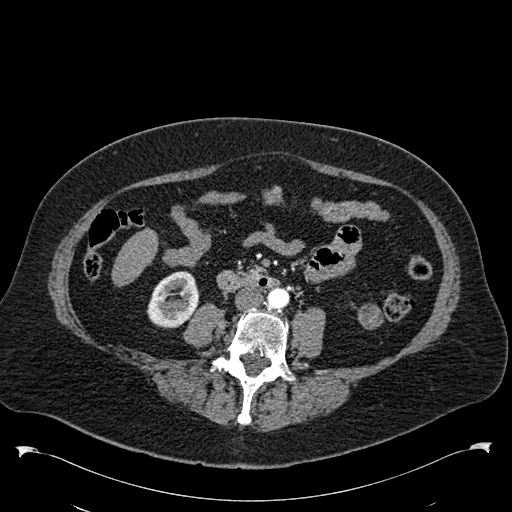
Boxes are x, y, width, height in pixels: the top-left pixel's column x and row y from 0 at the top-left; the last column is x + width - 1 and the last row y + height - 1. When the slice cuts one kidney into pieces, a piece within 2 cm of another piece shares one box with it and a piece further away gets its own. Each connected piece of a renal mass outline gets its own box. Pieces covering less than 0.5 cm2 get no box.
This is axial slice 223 of 538 (slice 1 is the lowest) of an arterial-phase abdominal CT with contrast; each pixel is 0.811 mm and the slice is 1.00 mm thick. Two boxes on this slice (one kidney box and one renal mass box), listed by box centre from the image's left to its right. (1) Right kidney, box x 146, y 271, width 54, height 58 (outlined area 2,258 px, about 14.8 cm2). (2) Left renal mass, box x 358, y 303, width 26, height 27 (outlined area 524 px, about 3.4 cm2); it sits over 1 cm from every kidney outline on this slice, but the same outlined renal mass comes within 1 cm of the kidney on another slice.
Acquired at 120 kVp and reconstructed with the B30f kernel.